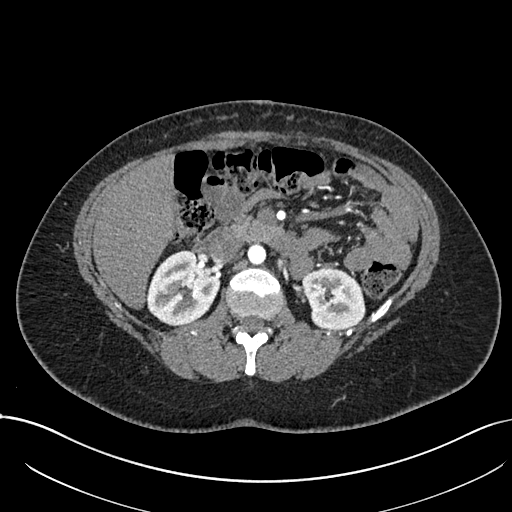
Arterial-phase contrast-enhanced abdominal CT, axial slice 432 of 738 (counted from the lowest slice); tube voltage 120 kVp, convolution kernel I30f; slices 1.00 mm thick, 0.789 mm per pixel.
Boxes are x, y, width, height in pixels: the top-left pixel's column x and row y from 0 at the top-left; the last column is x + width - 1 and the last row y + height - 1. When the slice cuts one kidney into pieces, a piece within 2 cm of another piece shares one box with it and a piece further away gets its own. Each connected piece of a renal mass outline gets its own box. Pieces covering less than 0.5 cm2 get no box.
Two boxes on this slice (two kidney boxes), listed by box centre from the image's left to its right. (1) Right kidney, box x 145, y 249, width 76, height 76 (outlined area 4,089 px, about 25.5 cm2). (2) Box x 302, y 267, width 64, height 62: left kidney (outlined area 3,063 px, about 19.1 cm2). No renal mass is outlined on this slice.